Abdominal CT with intravenous contrast, axial plane, 120 kVp, kernel I30f. Slice 37/109 from the bottom of the scan; thickness 3.00 mm; pixel size 0.742 mm.
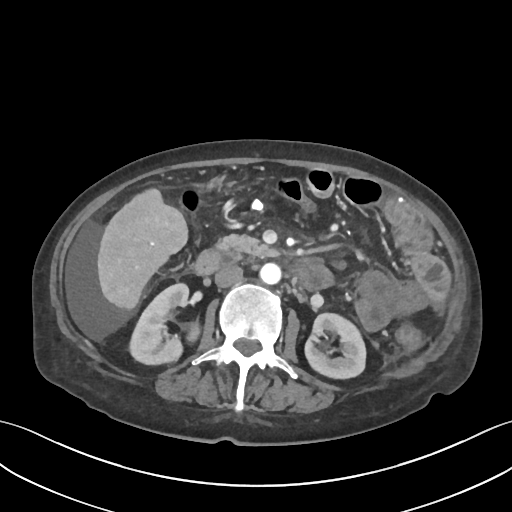
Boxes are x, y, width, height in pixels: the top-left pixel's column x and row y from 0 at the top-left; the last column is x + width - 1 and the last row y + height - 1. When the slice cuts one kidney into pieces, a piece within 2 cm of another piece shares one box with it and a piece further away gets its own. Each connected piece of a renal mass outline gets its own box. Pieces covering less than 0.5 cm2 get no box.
Two boxes on this slice (two kidney boxes), listed by box centre from the image's left to its right. (1) Right kidney at x 128, y 282, width 63, height 84 (outlined area 3,478 px, about 19.2 cm2). (2) Box x 304, y 312, width 63, height 68: left kidney (outlined area 3,298 px, about 18.2 cm2). No renal mass is outlined on this slice.